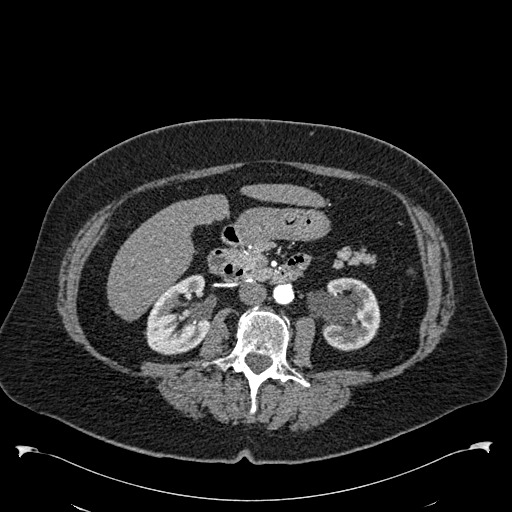
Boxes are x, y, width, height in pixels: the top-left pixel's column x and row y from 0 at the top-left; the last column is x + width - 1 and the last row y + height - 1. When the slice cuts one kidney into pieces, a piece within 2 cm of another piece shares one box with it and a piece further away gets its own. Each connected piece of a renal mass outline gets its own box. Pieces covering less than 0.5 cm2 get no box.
This is axial slice 296 of 538 (slice 1 is the lowest) of an arterial-phase abdominal CT with contrast; each pixel is 0.811 mm and the slice is 1.00 mm thick. Two boxes on this slice (two kidney boxes), listed by box centre from the image's left to its right. (1) Right kidney at x 144, y 274, width 66, height 82 (outlined area 3,722 px, about 24.5 cm2). (2) Left kidney at x 307, y 277, width 74, height 75 (outlined area 3,865 px, about 25.4 cm2). No renal mass outline on this slice.
Scan settings: 120 kVp, B30f reconstruction kernel.